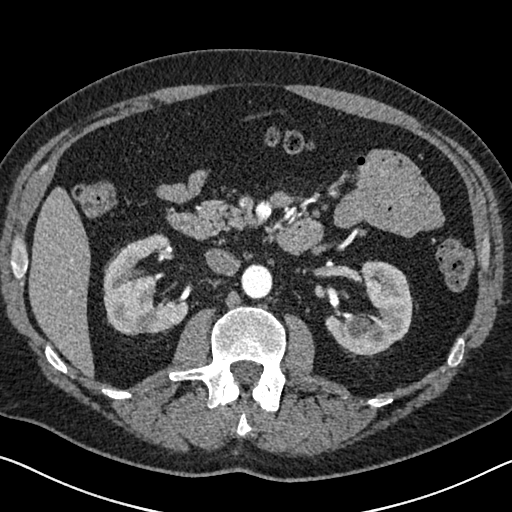
Arterial-phase contrast-enhanced abdominal CT, axial slice 396 of 626 (counted from the lowest slice); tube voltage 120 kVp, convolution kernel I30f; slices 1.00 mm thick, 0.703 mm per pixel.
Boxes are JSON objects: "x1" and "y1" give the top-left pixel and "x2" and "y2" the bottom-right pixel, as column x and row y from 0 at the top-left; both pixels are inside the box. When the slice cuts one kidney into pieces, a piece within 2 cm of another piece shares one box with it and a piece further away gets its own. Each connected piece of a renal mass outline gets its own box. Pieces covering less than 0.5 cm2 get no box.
Boxed on this slice (two kidney boxes), listed by box centre from the image's left to its right: (1) Box {"x1": 103, "y1": 233, "x2": 188, "y2": 335}: right kidney (outlined area 5,675 px, about 28.1 cm2). (2) Box {"x1": 325, "y1": 260, "x2": 412, "y2": 356}: left kidney (outlined area 5,248 px, about 25.9 cm2). No renal mass is outlined on this slice.